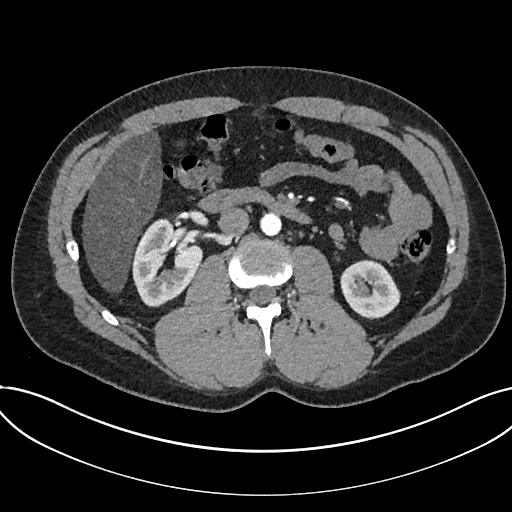
Arterial-phase contrast-enhanced abdominal CT, axial slice 393 of 735 (counted from the lowest slice); tube voltage 120 kVp, convolution kernel I30f; slices 1.00 mm thick, 0.789 mm per pixel.
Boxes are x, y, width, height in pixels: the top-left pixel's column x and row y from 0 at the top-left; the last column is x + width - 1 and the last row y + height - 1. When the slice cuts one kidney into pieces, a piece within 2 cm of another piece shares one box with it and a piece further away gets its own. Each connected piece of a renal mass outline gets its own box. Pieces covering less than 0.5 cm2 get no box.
Boxed on this slice (two kidney boxes), listed by box centre from the image's left to its right: (1) Kidney at x 131, y 218, width 72, height 90 (outlined area 4,243 px, about 26.4 cm2). (2) Kidney, box x 340, y 260, width 61, height 60 (outlined area 2,670 px, about 16.6 cm2). No renal mass outline on this slice.